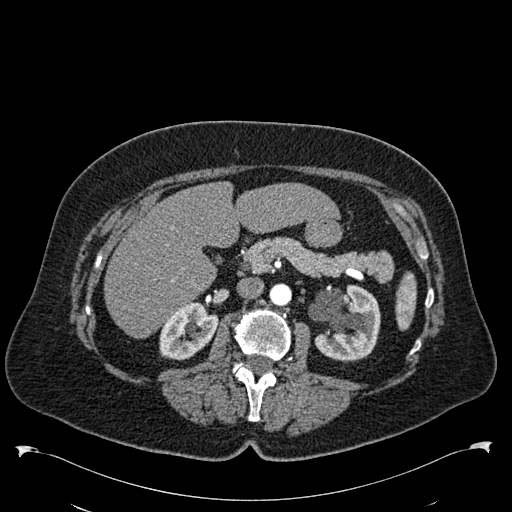
Axial slice 341 of 538 of a contrast-enhanced abdominal CT in the arterial phase (slice 1 is the lowest), 120 kVp, kernel B30f; 1.00 mm slice thickness and 0.811 mm pixels.
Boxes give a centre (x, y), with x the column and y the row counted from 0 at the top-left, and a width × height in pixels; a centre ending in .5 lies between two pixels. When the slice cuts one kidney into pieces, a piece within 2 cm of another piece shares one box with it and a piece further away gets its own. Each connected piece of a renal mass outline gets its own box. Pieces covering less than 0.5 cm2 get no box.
Two kidney boxes on this slice; by box centre, from the image's left to its right: (1) Right kidney in a box with centre (188.5, 331), 60 × 59 pixels (outlined area 2,452 px, about 16.1 cm2). (2) Left kidney, box centre (344.5, 322.5), 72 × 78 pixels (outlined area 4,162 px, about 27.3 cm2). No renal mass is outlined on this slice.